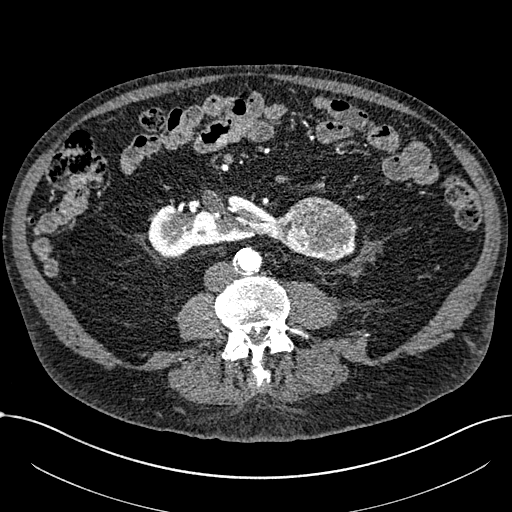
Axial slice 277 of 1059 of a contrast-enhanced abdominal CT in the arterial phase (slice 1 is the lowest), 100 kVp, kernel I30f; 1.00 mm slice thickness and 0.811 mm pixels.
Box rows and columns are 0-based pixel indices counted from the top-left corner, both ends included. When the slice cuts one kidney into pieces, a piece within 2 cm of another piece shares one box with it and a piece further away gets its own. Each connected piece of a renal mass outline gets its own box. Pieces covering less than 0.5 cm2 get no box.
Two boxes on this slice (one kidney box and one renal mass box), listed by box centre from the image's left to its right. (1) Right part of the midline-crossing kidney at rows 195–256, columns 148–284 (outlined area 5,376 px, about 35.3 cm2). (2) Renal mass at rows 196–261, columns 280–357 (outlined area 3,829 px, about 25.2 cm2).